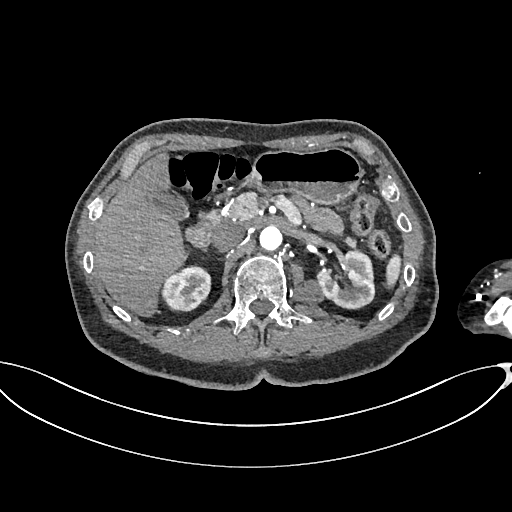
One axial slice (439 of 665, counting up from the lowest) of an arterial-phase abdominal CT acquired with 100 kVp, kernel I26f; each pixel is 0.828 mm and the slice is 1.00 mm thick.
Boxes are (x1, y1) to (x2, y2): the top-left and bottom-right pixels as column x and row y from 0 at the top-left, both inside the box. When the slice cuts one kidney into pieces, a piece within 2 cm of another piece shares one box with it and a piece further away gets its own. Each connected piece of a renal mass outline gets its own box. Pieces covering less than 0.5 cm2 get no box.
Boxed on this slice (two kidney boxes and one renal mass box), listed by box centre from the image's left to its right: (1) Box (162, 265) to (211, 311): right kidney (outlined area 1,760 px, about 12.1 cm2). (2) Left renal mass from (291, 279) to (323, 304) (outlined area 598 px, about 4.1 cm2). (3) Left kidney, box (317, 251) to (374, 308) (outlined area 2,431 px, about 16.7 cm2).